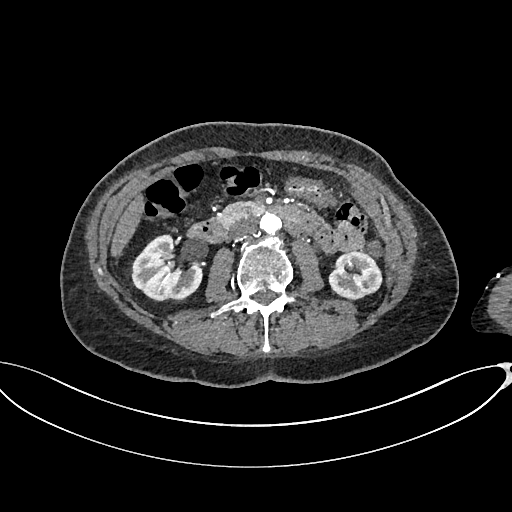
Arterial-phase contrast-enhanced abdominal CT, axial slice 361 of 665 (counted from the lowest slice); tube voltage 100 kVp, convolution kernel I26f; slices 1.00 mm thick, 0.828 mm per pixel.
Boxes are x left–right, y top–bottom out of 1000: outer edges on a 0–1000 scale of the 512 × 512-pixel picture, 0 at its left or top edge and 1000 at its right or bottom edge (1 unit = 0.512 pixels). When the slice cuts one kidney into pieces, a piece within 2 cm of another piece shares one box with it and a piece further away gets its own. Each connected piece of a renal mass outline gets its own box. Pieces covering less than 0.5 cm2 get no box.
Boxed on this slice (two kidney boxes), listed by box centre from the image's left to its right: (1) Right kidney, box x 256–396, y 457–590 out of 1000 (outlined area 3,379 px, about 23.2 cm2). (2) Left kidney at x 641–748, y 492–586 out of 1000 (outlined area 2,020 px, about 13.9 cm2). This slice carries no renal mass outline.